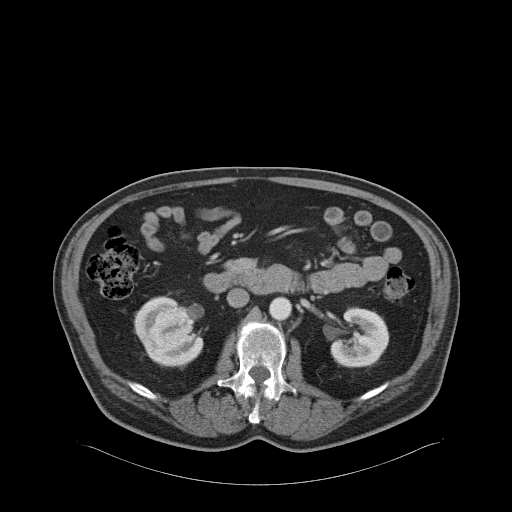
Arterial-phase contrast-enhanced abdominal CT, axial slice 33 of 68 (counted from the lowest slice); tube voltage 120 kVp, convolution kernel B31f; slices 5.00 mm thick, 0.961 mm per pixel.
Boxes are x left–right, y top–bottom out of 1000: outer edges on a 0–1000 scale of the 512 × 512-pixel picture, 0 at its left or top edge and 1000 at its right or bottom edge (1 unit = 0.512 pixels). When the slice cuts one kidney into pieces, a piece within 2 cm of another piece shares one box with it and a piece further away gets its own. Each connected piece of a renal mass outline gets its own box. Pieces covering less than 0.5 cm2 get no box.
Three boxes on this slice (two kidney boxes and one renal mass box), listed by box centre from the image's left to its right. (1) Right kidney at x 262–398, y 578–719 out of 1000 (outlined area 2,065 px, about 19.1 cm2). (2) Right renal mass at x 287–398, y 592–684 out of 1000 (outlined area 1,706 px, about 15.8 cm2). (3) Left kidney, box x 645–762, y 600–719 out of 1000 (outlined area 2,736 px, about 25.3 cm2).